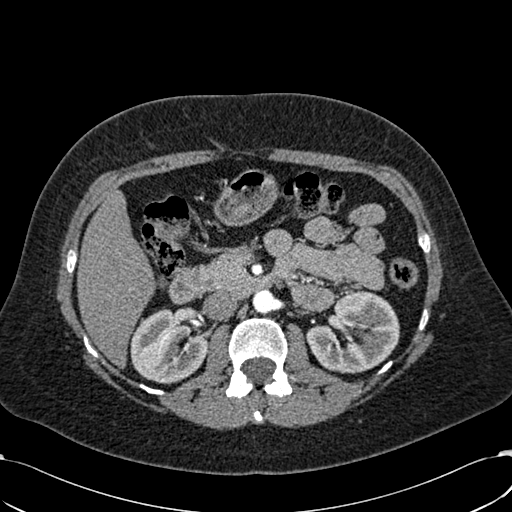
One axial slice (376 of 532, counting up from the lowest) of an arterial-phase abdominal CT acquired with 120 kVp, kernel B30f; each pixel is 0.713 mm and the slice is 1.00 mm thick.
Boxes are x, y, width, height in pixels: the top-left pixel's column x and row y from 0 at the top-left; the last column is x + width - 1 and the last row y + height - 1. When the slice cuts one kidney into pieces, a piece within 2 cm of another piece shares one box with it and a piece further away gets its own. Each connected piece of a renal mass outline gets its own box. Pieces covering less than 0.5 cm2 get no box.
Two kidney boxes on this slice; by box centre, from the image's left to its right: (1) Right kidney at x 130, y 308, width 78, height 76 (outlined area 4,273 px, about 21.7 cm2). (2) Box x 306, y 290, width 94, height 84: left kidney (outlined area 5,479 px, about 27.8 cm2). No renal mass outline on this slice.